One axial slice (32 of 52, counting up from the lowest) of an arterial-phase abdominal CT acquired with 120 kVp, kernel B30f; each pixel is 0.678 mm and the slice is 3.00 mm thick.
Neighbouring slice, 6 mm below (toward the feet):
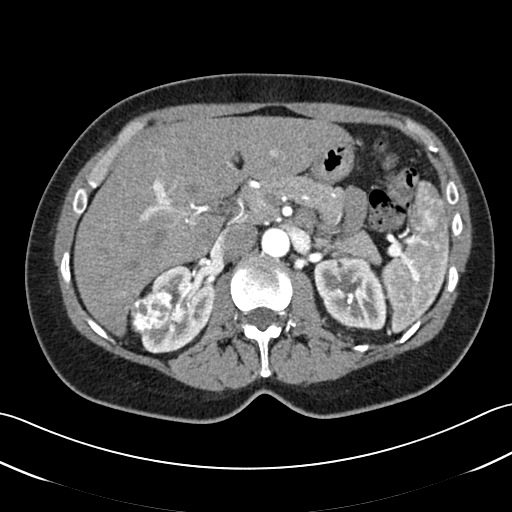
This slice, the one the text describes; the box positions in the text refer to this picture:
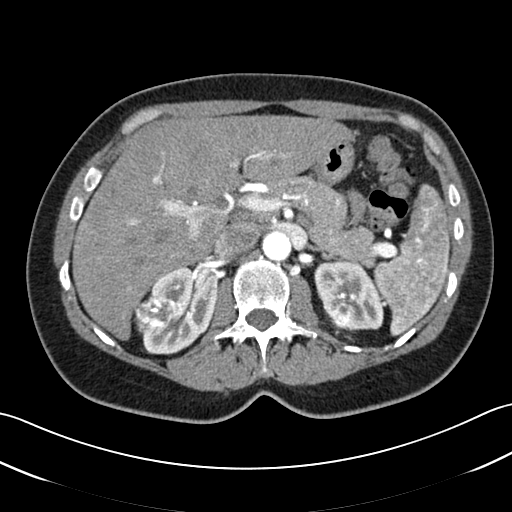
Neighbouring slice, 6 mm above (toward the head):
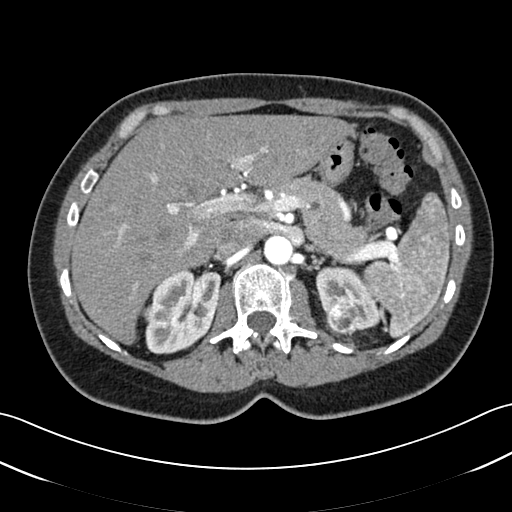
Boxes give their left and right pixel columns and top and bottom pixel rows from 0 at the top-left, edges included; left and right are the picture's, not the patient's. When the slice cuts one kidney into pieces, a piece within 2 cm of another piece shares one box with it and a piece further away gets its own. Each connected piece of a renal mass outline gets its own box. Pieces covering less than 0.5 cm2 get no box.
Boxed on this slice (two kidney boxes and two renal mass boxes), listed by box centre from the image's left to its right: (1) Box with left 134, top 290, right 183, bottom 340: right renal mass (outlined area 1,690 px, about 7.8 cm2). (2) Right kidney in the box with left 142, top 265, right 218, bottom 354 (outlined area 3,827 px, about 17.6 cm2). (3) Left renal mass in the box with left 332, top 303, right 355, bottom 329 (outlined area 488 px, about 2.2 cm2). (4) Left kidney in the box with left 314, top 260, right 383, bottom 331 (outlined area 3,299 px, about 15.2 cm2). This slice lies near the end of the left renal mass toward the feet; the slices 6 mm below and 6 mm above it are shown too, and the boxes mark positions on this slice only.